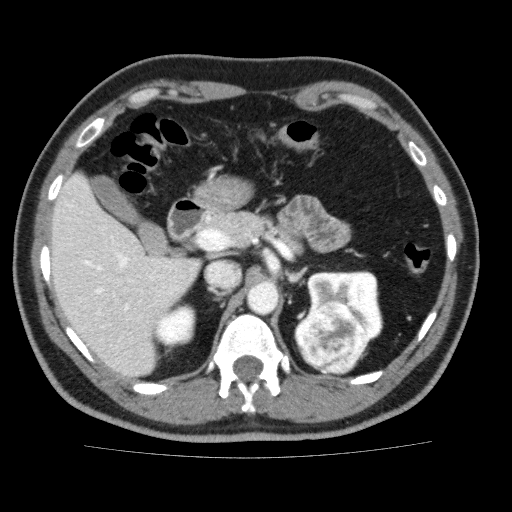
Axial slice 117 of 159 of a contrast-enhanced abdominal CT (slice 1 is the lowest), 120 kVp, kernel FC13; 3.00 mm slice thickness and 0.668 mm pixels.
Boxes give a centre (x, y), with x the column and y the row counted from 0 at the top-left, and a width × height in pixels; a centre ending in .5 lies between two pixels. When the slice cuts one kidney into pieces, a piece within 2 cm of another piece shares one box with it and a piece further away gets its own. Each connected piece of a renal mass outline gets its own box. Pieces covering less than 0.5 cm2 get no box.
Two kidney boxes and one renal mass box on this slice; by box centre, from the image's left to its right: (1) Right kidney in a box with centre (174.5, 325), 44 × 45 pixels (outlined area 1,450 px, about 6.5 cm2). (2) Box centre (330, 338.5), 73 × 74 pixels: left renal mass (outlined area 3,958 px, about 17.7 cm2). (3) Box centre (342.5, 308.5), 82 × 78 pixels: left kidney (outlined area 3,180 px, about 14.2 cm2).